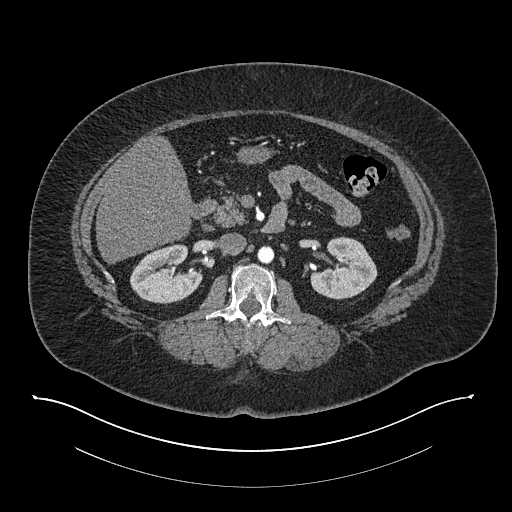
Abdominal CT with intravenous contrast, arterial phase, axial plane, 140 kVp, kernel I30f. Slice 464/673 from the bottom of the scan; thickness 1.00 mm; pixel size 0.957 mm.
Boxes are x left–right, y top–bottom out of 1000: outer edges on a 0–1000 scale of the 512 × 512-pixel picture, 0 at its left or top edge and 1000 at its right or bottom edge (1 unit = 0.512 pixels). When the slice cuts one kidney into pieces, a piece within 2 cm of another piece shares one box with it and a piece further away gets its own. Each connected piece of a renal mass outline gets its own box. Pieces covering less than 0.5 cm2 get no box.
Boxed on this slice (two kidney boxes), listed by box centre from the image's left to its right: (1) Right kidney, box x 254–396, y 475–594 out of 1000 (outlined area 3,100 px, about 28.4 cm2). (2) Box x 605–738, y 461–586 out of 1000: left kidney (outlined area 2,982 px, about 27.3 cm2). No renal mass outline on this slice.